Arterial-phase contrast-enhanced abdominal CT, axial slice 63 of 274 (counted from the lowest slice); tube voltage 120 kVp, convolution kernel B30f; slices 2.00 mm thick, 0.809 mm per pixel.
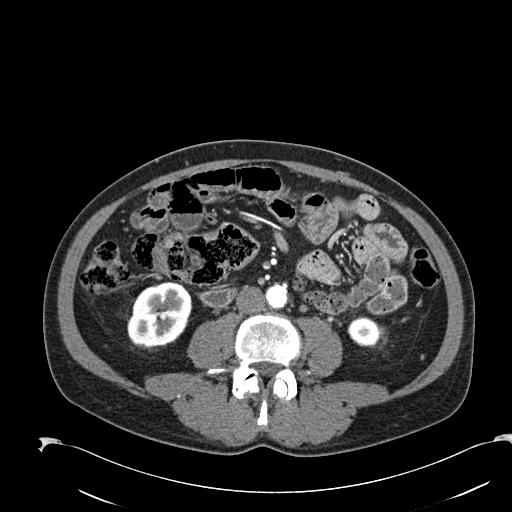
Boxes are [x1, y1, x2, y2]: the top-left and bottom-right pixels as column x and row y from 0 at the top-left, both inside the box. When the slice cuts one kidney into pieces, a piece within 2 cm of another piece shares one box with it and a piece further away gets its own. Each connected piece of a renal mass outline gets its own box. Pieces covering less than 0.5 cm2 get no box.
Two boxes on this slice (two kidney boxes), listed by box centre from the image's left to its right. (1) Right kidney at [127, 281, 192, 349] (outlined area 3,378 px, about 22.1 cm2). (2) Box [347, 316, 383, 347]: left kidney (outlined area 819 px, about 5.4 cm2). This slice carries no renal mass outline.